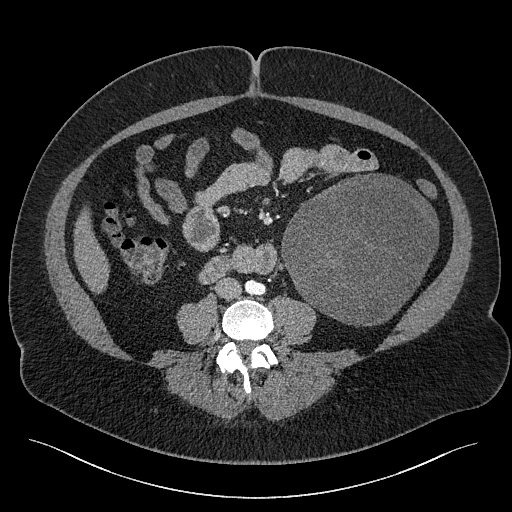
Axial slice 78 of 301 of a contrast-enhanced abdominal CT (slice 1 is the lowest), 120 kVp, kernel I40f; 2.00 mm slice thickness and 0.859 mm pixels.
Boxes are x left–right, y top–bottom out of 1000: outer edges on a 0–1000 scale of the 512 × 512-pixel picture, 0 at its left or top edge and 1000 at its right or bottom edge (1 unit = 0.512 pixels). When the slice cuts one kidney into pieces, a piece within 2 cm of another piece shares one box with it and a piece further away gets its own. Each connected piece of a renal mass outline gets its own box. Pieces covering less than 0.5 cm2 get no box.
Left renal mass at x 549–857, y 338–639 out of 1000 (outlined area 17,827 px, about 131.7 cm2).